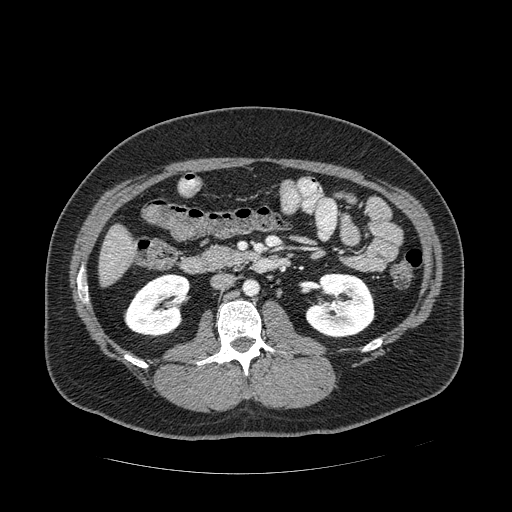
One axial slice (247 of 389, counting up from the lowest) of an arterial-phase abdominal CT acquired with 120 kVp, kernel STANDARD; each pixel is 0.869 mm and the slice is 1.25 mm thick.
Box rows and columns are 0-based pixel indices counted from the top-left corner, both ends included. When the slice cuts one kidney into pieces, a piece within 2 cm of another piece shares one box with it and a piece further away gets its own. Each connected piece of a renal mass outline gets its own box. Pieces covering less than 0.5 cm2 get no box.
Two boxes on this slice (two kidney boxes), listed by box centre from the image's left to its right. (1) Box rows 273–337, columns 124–190: right kidney (outlined area 3,062 px, about 23.1 cm2). (2) Left kidney, box rows 273–338, columns 304–375 (outlined area 3,533 px, about 26.7 cm2). No renal mass outline on this slice.